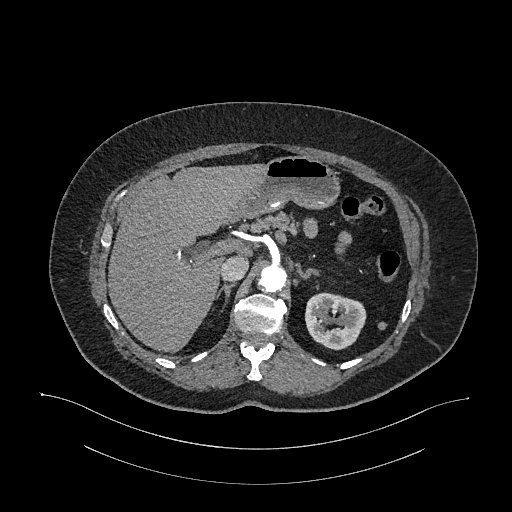
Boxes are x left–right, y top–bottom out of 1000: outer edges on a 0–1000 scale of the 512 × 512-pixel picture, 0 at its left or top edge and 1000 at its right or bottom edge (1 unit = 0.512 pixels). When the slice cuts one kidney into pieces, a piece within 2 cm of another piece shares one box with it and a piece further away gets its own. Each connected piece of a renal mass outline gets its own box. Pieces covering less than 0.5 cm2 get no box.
Arterial-phase contrast-enhanced abdominal CT, axial slice 755 of 987 (counted from the lowest slice); 1.00 mm thick, 0.977 mm per pixel. Left kidney, box x 596–717, y 570–686 out of 1000 (outlined area 2,699 px, about 25.7 cm2). This slice carries no renal mass outline.
Acquired at 120 kVp and reconstructed with the I26f kernel.